One axial slice (163 of 285, counting up from the lowest) of an arterial-phase abdominal CT acquired with 120 kVp, kernel B31f; each pixel is 0.762 mm and the slice is 2.00 mm thick.
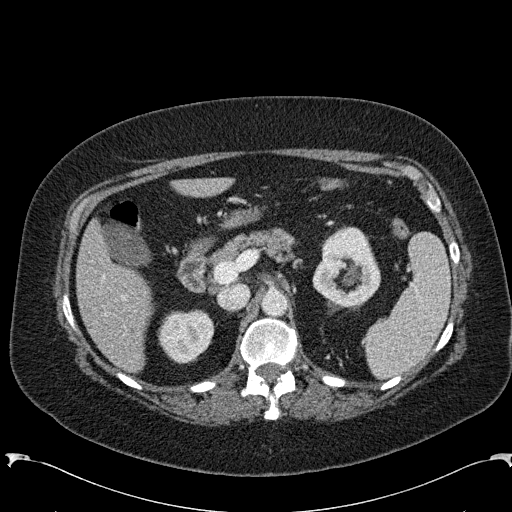
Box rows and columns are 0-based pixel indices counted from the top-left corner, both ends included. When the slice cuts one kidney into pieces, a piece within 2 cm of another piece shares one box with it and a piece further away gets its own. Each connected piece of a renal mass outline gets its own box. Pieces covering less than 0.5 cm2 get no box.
Two kidney boxes on this slice; by box centre, from the image's left to its right: (1) Right kidney, box rows 309–364, columns 157–214 (outlined area 2,406 px, about 14.0 cm2). (2) Box rows 226–308, columns 312–381: left kidney (outlined area 4,026 px, about 23.4 cm2). This slice carries no renal mass outline.